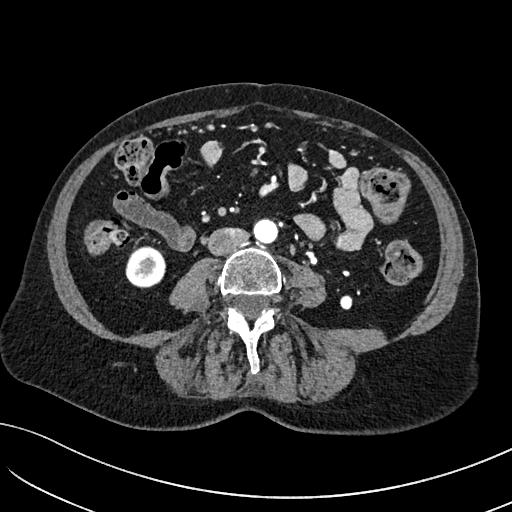
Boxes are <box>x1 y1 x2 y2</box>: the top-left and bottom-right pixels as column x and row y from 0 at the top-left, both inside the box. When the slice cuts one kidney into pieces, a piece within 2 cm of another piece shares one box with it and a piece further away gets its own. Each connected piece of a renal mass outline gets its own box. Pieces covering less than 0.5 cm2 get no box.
Slice 10/234 of a contrast-enhanced abdominal CT in the arterial phase, counting up from the lowest; pixel size 0.699 mm, slice thickness 2.00 mm. At <box>125 246 166 288</box>: right kidney (outlined area 1,369 px, about 6.7 cm2). No renal mass outline on this slice.
Tube voltage 100 kVp; convolution kernel I40f.